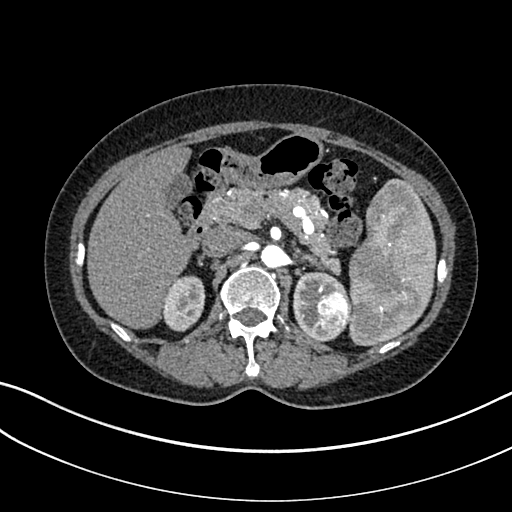
One axial slice (215 of 325, counting up from the lowest) of an arterial-phase abdominal CT acquired with 100 kVp, kernel I30f; each pixel is 0.703 mm and the slice is 1.00 mm thick.
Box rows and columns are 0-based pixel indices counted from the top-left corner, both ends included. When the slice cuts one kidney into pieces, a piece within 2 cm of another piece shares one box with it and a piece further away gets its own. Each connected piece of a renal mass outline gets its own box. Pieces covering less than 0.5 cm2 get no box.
Boxed on this slice (two kidney boxes and one renal mass box), listed by box centre from the image's left to its right: (1) Box rows 275–331, columns 161–205: right kidney (outlined area 1,891 px, about 9.3 cm2). (2) Left kidney, box rows 271–341, columns 293–347 (outlined area 2,058 px, about 10.2 cm2). (3) Box rows 291–332, columns 316–351: left renal mass (outlined area 1,182 px, about 5.8 cm2).